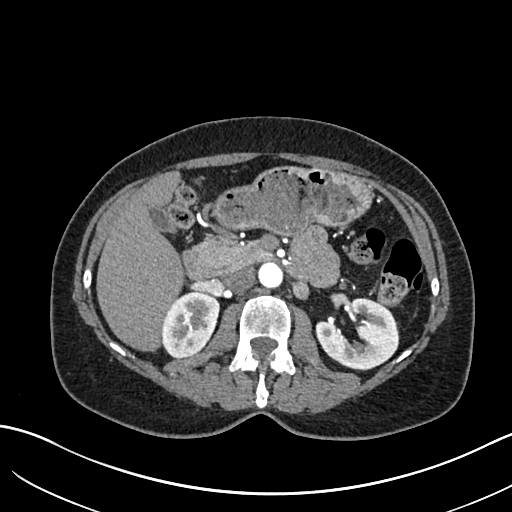
Abdominal CT with intravenous contrast, arterial phase, axial plane, 120 kVp, kernel I30f. Slice 391/683 from the bottom of the scan; thickness 1.00 mm; pixel size 0.738 mm.
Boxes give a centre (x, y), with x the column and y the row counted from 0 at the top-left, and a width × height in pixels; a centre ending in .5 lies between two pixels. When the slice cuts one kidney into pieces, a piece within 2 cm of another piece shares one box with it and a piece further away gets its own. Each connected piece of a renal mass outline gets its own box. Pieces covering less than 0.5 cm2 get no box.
Two kidney boxes on this slice; by box centre, from the image's left to its right: (1) Box centre (190.5, 324), 60 × 67 pixels: right kidney (outlined area 2,977 px, about 16.2 cm2). (2) Left kidney, box centre (357.5, 332.5), 84 × 72 pixels (outlined area 3,870 px, about 21.1 cm2). No renal mass is outlined on this slice.